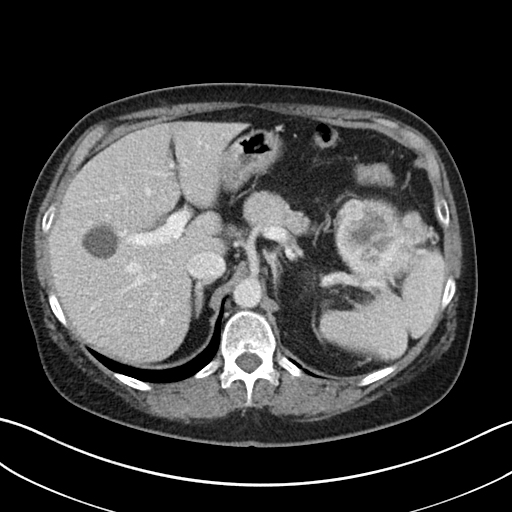
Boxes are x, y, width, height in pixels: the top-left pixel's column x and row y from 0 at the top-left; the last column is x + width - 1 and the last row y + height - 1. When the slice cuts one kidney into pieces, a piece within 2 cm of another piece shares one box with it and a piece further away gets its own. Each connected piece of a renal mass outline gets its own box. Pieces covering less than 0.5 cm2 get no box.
Slice 31/38 of a contrast-enhanced abdominal CT, counting up from the lowest; pixel size 0.730 mm, slice thickness 5.00 mm. Left renal mass, box x 336, y 199, width 93, height 82 (outlined area 5,841 px, about 31.2 cm2); no kidney is outlined on this slice, but the same outlined renal mass comes within 1 cm of the kidney on another slice.
Tube voltage 100 kVp; convolution kernel I30f.